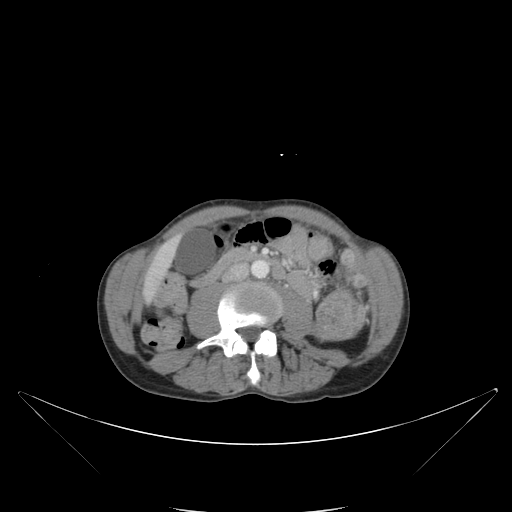
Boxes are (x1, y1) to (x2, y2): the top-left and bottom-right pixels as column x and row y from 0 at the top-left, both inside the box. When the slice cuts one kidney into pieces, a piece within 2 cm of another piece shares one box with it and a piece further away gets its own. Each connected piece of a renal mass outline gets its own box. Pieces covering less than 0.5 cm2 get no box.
Contrast-enhanced abdominal CT, axial slice 50 of 88 (counted from the lowest slice); 5.00 mm thick, 0.865 mm per pixel. Left renal mass from (315, 290) to (366, 342) (outlined area 2,099 px, about 15.7 cm2); this slice has no kidney outline, though on another slice the same outlined renal mass lies within 1 cm of the kidney.
Acquired at 120 kVp and reconstructed with the B kernel.